Arterial-phase contrast-enhanced abdominal CT, axial slice 459 of 553 (counted from the lowest slice); tube voltage 120 kVp, convolution kernel B20f; slices 1.00 mm thick, 0.773 mm per pixel.
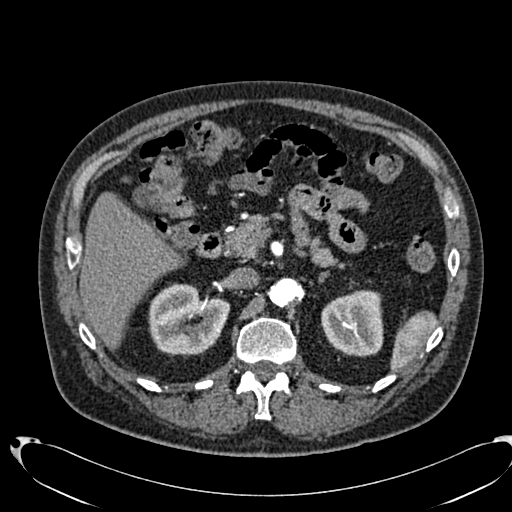
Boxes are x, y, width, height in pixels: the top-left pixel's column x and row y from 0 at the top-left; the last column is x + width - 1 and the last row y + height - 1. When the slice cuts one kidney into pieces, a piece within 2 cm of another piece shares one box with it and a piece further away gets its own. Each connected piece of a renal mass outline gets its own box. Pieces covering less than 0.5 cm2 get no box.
Two kidney boxes on this slice; by box centre, from the image's left to its right: (1) Right kidney at x 148, y 283, width 83, height 74 (outlined area 4,484 px, about 26.8 cm2). (2) Box x 321, y 290, width 63, height 67: left kidney (outlined area 3,355 px, about 20.1 cm2). This slice carries no renal mass outline.